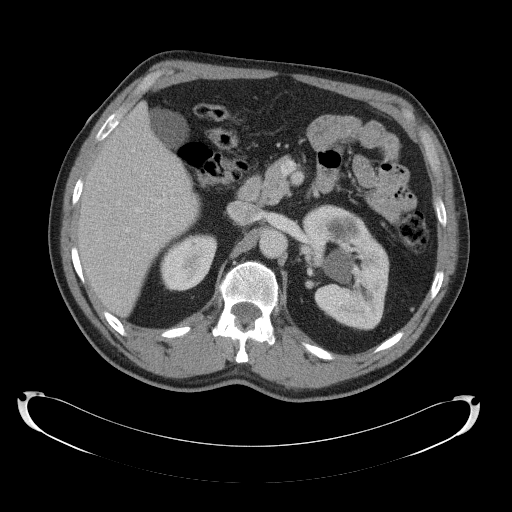
One axial slice (76 of 145, counting up from the lowest) of a contrast-enhanced abdominal CT acquired with 120 kVp, kernel B41f; each pixel is 0.859 mm and the slice is 5.00 mm thick.
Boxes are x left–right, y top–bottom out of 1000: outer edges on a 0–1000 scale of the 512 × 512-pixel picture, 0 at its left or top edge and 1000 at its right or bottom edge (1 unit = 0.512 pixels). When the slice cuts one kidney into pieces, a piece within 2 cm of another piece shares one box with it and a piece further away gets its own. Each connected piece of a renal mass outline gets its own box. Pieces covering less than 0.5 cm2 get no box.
Two kidney boxes on this slice; by box centre, from the image's left to its right: (1) Right kidney at x 313–426, y 457–570 out of 1000 (outlined area 2,493 px, about 18.4 cm2). (2) Box x 588–762, y 398–646 out of 1000: left kidney (outlined area 8,095 px, about 59.8 cm2). No renal mass outline on this slice.